Arterial-phase contrast-enhanced abdominal CT, axial slice 230 of 1059 (counted from the lowest slice); tube voltage 100 kVp, convolution kernel I30f; slices 1.00 mm thick, 0.811 mm per pixel.
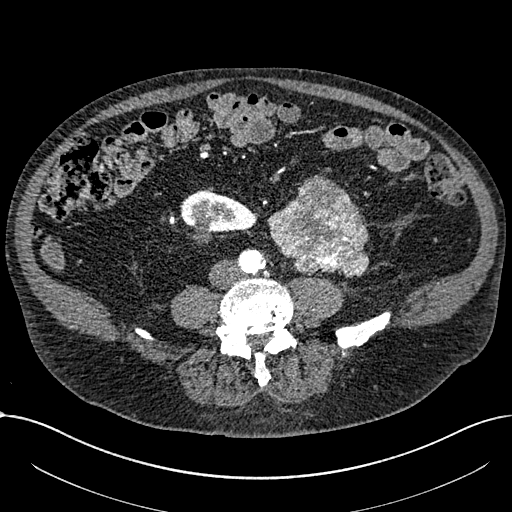
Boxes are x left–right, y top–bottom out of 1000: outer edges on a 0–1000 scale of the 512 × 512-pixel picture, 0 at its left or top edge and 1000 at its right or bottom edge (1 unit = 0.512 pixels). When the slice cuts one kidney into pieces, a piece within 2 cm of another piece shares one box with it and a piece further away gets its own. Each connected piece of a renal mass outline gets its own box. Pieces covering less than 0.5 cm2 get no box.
Boxed on this slice (one kidney box and one renal mass box), listed by box centre from the image's left to its right: (1) Right part of the midline-crossing kidney, box x 354–504, y 371–479 out of 1000 (outlined area 2,571 px, about 16.9 cm2). (2) Box x 521–723, y 342–543 out of 1000: renal mass (outlined area 7,201 px, about 47.3 cm2).